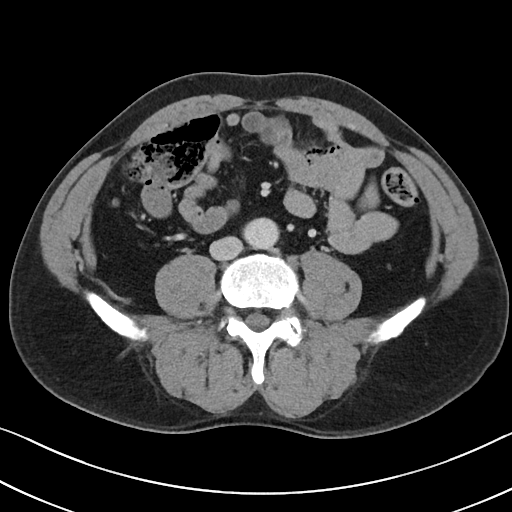
Abdominal CT with intravenous contrast, axial plane, 100 kVp, kernel I40f. Slice 47/101 from the bottom of the scan; thickness 5.00 mm; pixel size 0.684 mm.
No kidney and no renal mass is outlined on this slice; the outlines in this scan cover only the kidneys and the renal masses, so nothing is said about any other organ.